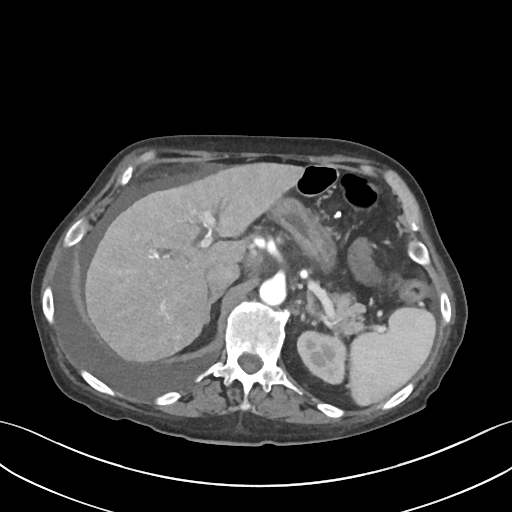
Axial slice 64 of 109 of a contrast-enhanced abdominal CT (slice 1 is the lowest), 120 kVp, kernel I30f; 3.00 mm slice thickness and 0.742 mm pixels.
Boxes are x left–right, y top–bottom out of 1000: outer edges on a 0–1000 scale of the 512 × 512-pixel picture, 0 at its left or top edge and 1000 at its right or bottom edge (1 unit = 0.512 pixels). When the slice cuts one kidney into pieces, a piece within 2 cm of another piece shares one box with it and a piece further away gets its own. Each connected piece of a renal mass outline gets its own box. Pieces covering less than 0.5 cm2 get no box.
Left kidney, box x 578–676, y 641–754 out of 1000 (outlined area 2,114 px, about 11.6 cm2). This slice carries no renal mass outline.